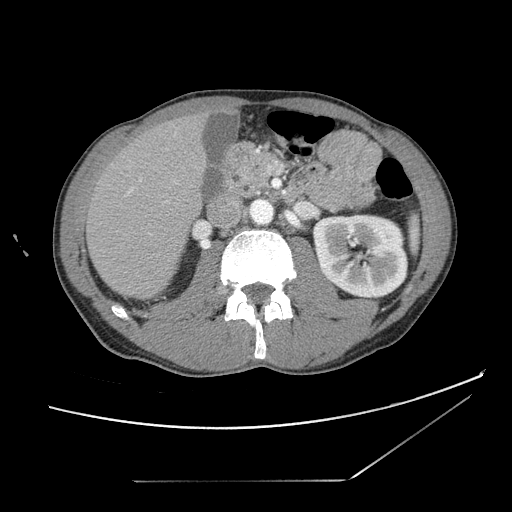
One axial slice (64 of 121, counting up from the lowest) of a contrast-enhanced abdominal CT acquired with 120 kVp, kernel STANDARD; each pixel is 0.742 mm and the slice is 2.50 mm thick.
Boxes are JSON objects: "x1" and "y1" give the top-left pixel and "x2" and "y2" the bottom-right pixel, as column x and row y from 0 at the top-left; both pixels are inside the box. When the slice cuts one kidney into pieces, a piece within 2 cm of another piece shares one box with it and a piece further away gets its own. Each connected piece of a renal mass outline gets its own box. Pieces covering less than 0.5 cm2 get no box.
Left kidney, box {"x1": 311, "y1": 212, "x2": 408, "y2": 299} (outlined area 6,650 px, about 36.6 cm2). This slice carries no renal mass outline.